One axial slice (33 of 109, counting up from the lowest) of a contrast-enhanced abdominal CT acquired with 120 kVp, kernel I30f; each pixel is 0.742 mm and the slice is 3.00 mm thick.
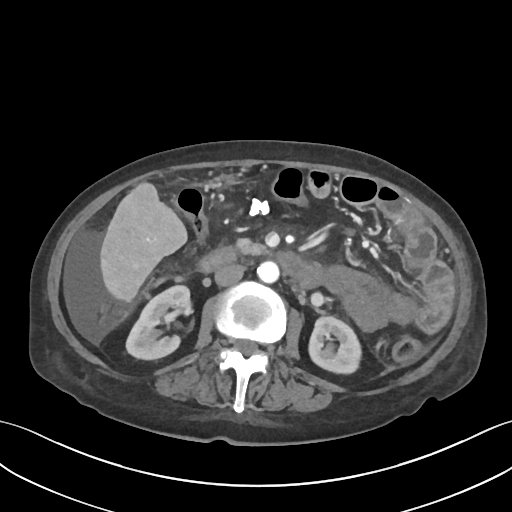
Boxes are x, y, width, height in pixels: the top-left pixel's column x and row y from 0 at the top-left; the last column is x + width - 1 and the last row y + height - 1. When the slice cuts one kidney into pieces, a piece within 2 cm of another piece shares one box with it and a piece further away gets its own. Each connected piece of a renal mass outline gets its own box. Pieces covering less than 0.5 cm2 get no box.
Two kidney boxes on this slice; by box centre, from the image's left to its right: (1) Right kidney at x 125, y 284, width 67, height 77 (outlined area 3,322 px, about 18.3 cm2). (2) Left kidney at x 308, y 316, width 55, height 59 (outlined area 2,522 px, about 13.9 cm2). This slice carries no renal mass outline.